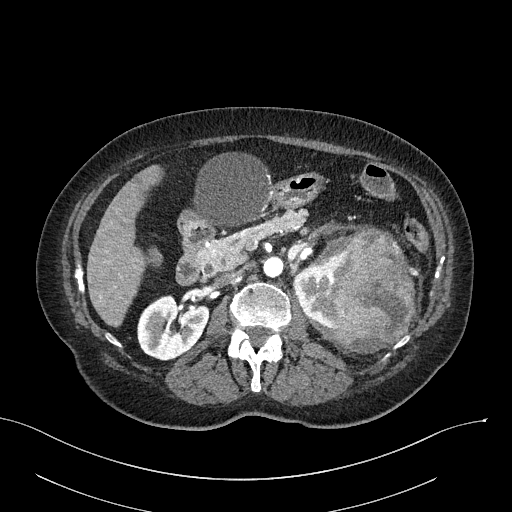
Arterial-phase contrast-enhanced abdominal CT, axial slice 145 of 316 (counted from the lowest slice); tube voltage 100 kVp, convolution kernel I40f; slices 2.00 mm thick, 0.840 mm per pixel.
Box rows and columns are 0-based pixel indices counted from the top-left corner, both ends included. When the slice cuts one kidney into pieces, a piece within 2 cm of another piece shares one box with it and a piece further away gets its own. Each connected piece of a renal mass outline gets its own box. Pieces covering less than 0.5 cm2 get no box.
Three boxes on this slice (two kidney boxes and one renal mass box), listed by box centre from the image's left to its right. (1) Right kidney, box rows 294–360, columns 137–208 (outlined area 3,499 px, about 24.7 cm2). (2) Box rows 266–328, columns 292–343: left kidney (outlined area 2,143 px, about 15.1 cm2). (3) Box rows 224–353, columns 305–415: left renal mass (outlined area 9,101 px, about 64.2 cm2).